Arterial-phase contrast-enhanced abdominal CT, axial slice 474 of 553 (counted from the lowest slice); tube voltage 120 kVp, convolution kernel B20f; slices 1.00 mm thick, 0.773 mm per pixel.
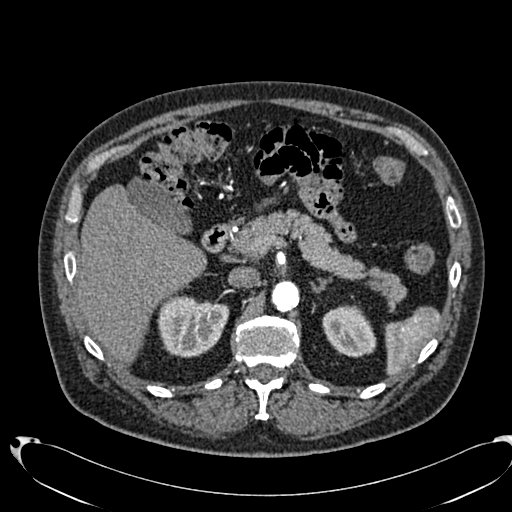
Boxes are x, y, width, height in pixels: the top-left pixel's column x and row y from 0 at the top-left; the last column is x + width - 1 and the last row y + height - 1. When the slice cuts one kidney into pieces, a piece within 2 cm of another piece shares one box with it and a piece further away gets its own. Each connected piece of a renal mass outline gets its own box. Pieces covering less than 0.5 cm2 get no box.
Boxed on this slice (two kidney boxes), listed by box centre from the image's left to its right: (1) Right kidney, box x 157, y 295, width 73, height 63 (outlined area 3,398 px, about 20.3 cm2). (2) Left kidney at x 322, y 305, width 55, height 53 (outlined area 2,136 px, about 12.8 cm2). No renal mass is outlined on this slice.